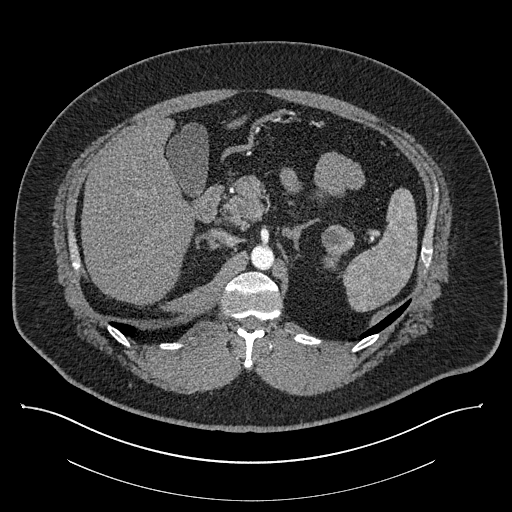
One axial slice (567 of 787, counting up from the lowest) of a contrast-enhanced abdominal CT acquired with 140 kVp, kernel I30f; each pixel is 0.910 mm and the slice is 1.00 mm thick.
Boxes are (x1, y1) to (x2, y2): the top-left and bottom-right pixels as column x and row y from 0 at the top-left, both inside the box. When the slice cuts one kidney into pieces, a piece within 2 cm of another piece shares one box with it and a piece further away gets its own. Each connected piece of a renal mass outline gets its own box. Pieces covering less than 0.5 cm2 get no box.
One kidney box and one renal mass box on this slice; by box centre, from the image's left to its right: (1) Left kidney from (322, 252) to (341, 268) (outlined area 219 px, about 1.8 cm2). (2) Left renal mass, box (321, 224) to (355, 253) (outlined area 764 px, about 6.3 cm2).